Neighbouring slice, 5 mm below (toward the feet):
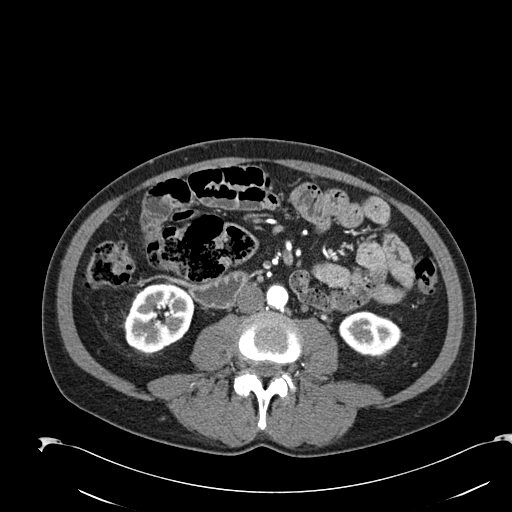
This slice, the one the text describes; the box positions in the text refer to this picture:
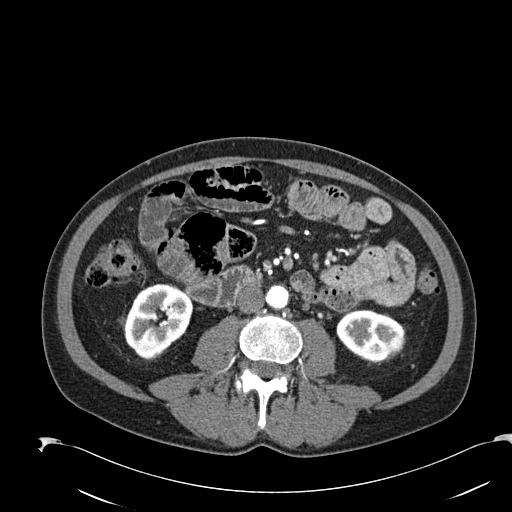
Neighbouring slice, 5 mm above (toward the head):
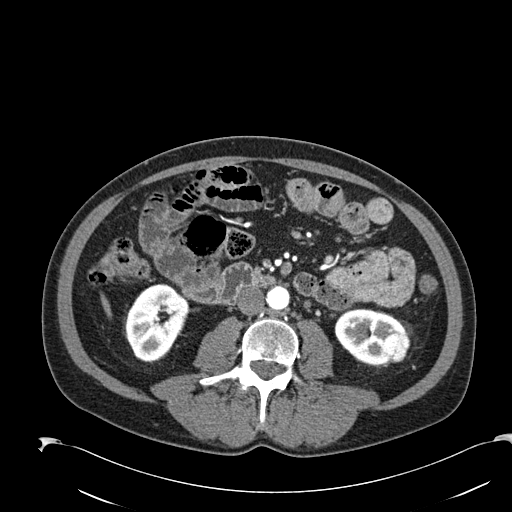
Axial slice 77 of 274 of a contrast-enhanced abdominal CT in the arterial phase (slice 1 is the lowest), 120 kVp, kernel B30f; 2.00 mm slice thickness and 0.809 mm pixels.
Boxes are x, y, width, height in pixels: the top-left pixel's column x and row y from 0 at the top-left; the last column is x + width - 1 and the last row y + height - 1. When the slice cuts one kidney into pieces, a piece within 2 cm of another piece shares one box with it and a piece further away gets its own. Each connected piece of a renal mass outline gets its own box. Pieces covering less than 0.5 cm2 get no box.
Three boxes on this slice (two kidney boxes and one renal mass box), listed by box centre from the image's left to its right. (1) Right kidney at x 125, y 283, width 69, height 78 (outlined area 3,800 px, about 24.8 cm2). (2) Left kidney, box x 336, y 309, width 70, height 55 (outlined area 2,515 px, about 16.4 cm2). (3) Left renal mass, box x 387, y 336, width 19, height 20 (outlined area 281 px, about 1.8 cm2). This slice is near the end of the left renal mass toward the feet, so the slices 5 mm below and 5 mm above it are shown as well; the boxes refer to this slice only.